One axial slice (278 of 665, counting up from the lowest) of an arterial-phase abdominal CT acquired with 100 kVp, kernel I26f; each pixel is 0.828 mm and the slice is 1.00 mm thick.
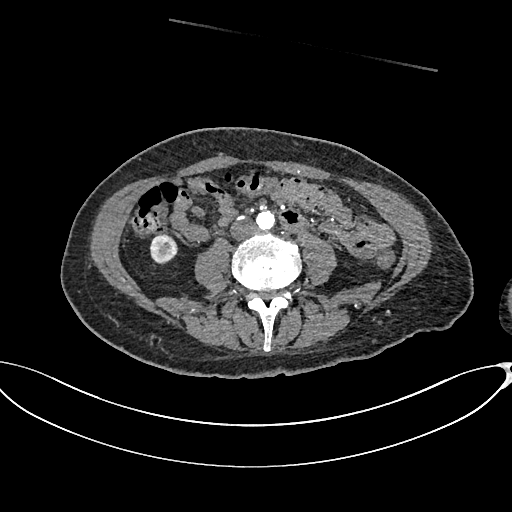
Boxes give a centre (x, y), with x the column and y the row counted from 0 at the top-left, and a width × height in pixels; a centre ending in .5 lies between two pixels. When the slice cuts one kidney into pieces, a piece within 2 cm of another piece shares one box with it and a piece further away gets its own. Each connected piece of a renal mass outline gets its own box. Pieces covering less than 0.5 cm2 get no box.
Right kidney in a box with centre (163.5, 248.5), 30 × 32 pixels (outlined area 678 px, about 4.6 cm2). This slice carries no renal mass outline.